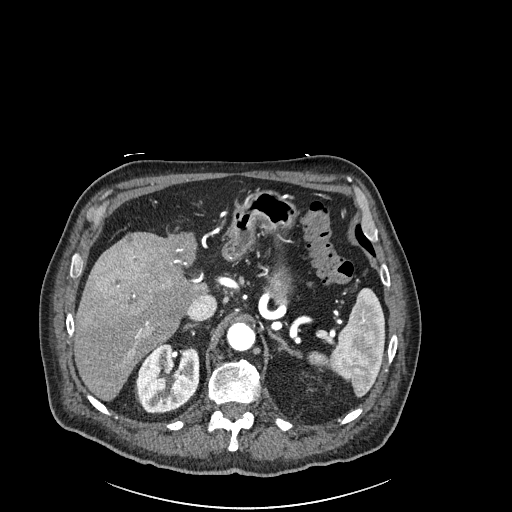
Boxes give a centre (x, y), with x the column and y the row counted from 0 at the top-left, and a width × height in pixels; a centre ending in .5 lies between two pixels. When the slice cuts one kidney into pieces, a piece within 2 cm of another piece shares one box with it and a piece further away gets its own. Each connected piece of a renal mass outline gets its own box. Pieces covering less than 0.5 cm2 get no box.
Arterial-phase contrast-enhanced abdominal CT, axial slice 169 of 261 (counted from the lowest slice); 2.00 mm thick, 0.939 mm per pixel. Right kidney, box centre (167.5, 378), 64 × 71 pixels (outlined area 3,495 px, about 30.8 cm2). This slice carries no renal mass outline.
Scan settings: 120 kVp, I30f reconstruction kernel.